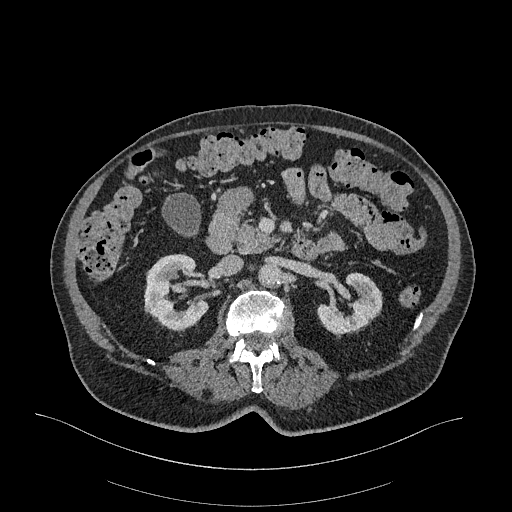
Abdominal CT with intravenous contrast, arterial phase, axial plane, 120 kVp, kernel I26f. Slice 172/470 from the bottom of the scan; thickness 1.00 mm; pixel size 0.938 mm.
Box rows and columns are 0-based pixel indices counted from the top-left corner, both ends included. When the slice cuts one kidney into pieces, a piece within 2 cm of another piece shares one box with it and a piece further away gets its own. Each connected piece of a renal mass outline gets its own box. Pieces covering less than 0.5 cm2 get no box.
Boxed on this slice (two kidney boxes), listed by box centre from the image's left to its right: (1) Right kidney at rows 253–332, columns 144–208 (outlined area 3,501 px, about 30.8 cm2). (2) Box rows 272–338, columns 317–382: left kidney (outlined area 2,620 px, about 23.0 cm2). No renal mass is outlined on this slice.